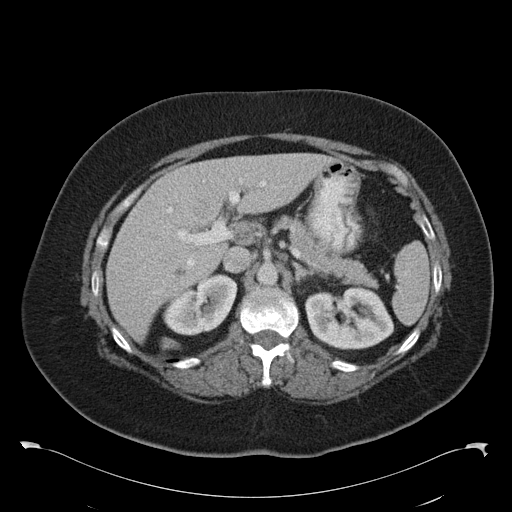
Axial slice 70 of 97 of a contrast-enhanced abdominal CT in the arterial phase (slice 1 is the lowest), 120 kVp, kernel B30f; 5.00 mm slice thickness and 0.824 mm pixels.
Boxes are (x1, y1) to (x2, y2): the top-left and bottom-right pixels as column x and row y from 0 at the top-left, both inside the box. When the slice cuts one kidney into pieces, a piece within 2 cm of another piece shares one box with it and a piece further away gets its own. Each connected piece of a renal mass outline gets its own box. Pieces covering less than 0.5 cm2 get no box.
Two kidney boxes on this slice; by box centre, from the image's left to its right: (1) Box (162, 274) to (237, 335): right kidney (outlined area 3,051 px, about 20.7 cm2). (2) Box (305, 287) to (394, 349): left kidney (outlined area 4,313 px, about 29.3 cm2). This slice carries no renal mass outline.